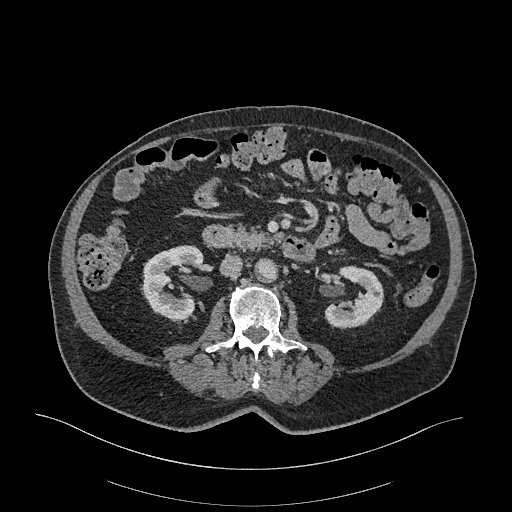
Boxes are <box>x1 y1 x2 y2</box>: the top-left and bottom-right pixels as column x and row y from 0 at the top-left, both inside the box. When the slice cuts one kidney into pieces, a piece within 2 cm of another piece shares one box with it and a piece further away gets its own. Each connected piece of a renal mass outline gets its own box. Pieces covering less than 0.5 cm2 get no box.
Slice 144/470 of a contrast-enhanced abdominal CT in the arterial phase, counting up from the lowest; pixel size 0.938 mm, slice thickness 1.00 mm. Boxed on this slice (two kidney boxes), listed by box centre from the image's left to its right: (1) At <box>141 245 203 320</box>: right kidney (outlined area 3,264 px, about 28.7 cm2). (2) Left kidney at <box>324 265 383 328</box> (outlined area 2,538 px, about 22.3 cm2). No renal mass is outlined on this slice.
Acquired at 120 kVp and reconstructed with the I26f kernel.